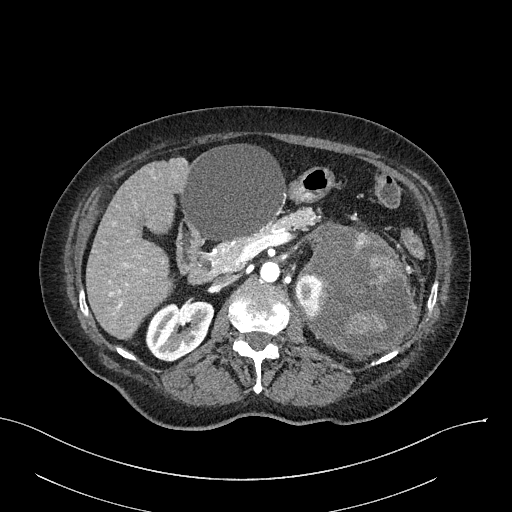
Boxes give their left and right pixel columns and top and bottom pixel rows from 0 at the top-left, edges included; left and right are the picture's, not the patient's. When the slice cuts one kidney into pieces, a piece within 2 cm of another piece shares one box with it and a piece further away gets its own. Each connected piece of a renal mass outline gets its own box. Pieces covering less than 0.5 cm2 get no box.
Slice 157/316 of a contrast-enhanced abdominal CT in the arterial phase, counting up from the lowest; pixel size 0.840 mm, slice thickness 2.00 mm. Boxed on this slice (two kidney boxes and one renal mass box), listed by box centre from the image's left to its right: (1) Box with left 145, top 300, right 214, bottom 361: right kidney (outlined area 3,073 px, about 21.7 cm2). (2) Left kidney in the box with left 295, top 276, right 320, bottom 317 (outlined area 758 px, about 5.3 cm2). (3) Left renal mass in the box with left 300, top 225, right 418, bottom 359 (outlined area 11,229 px, about 79.2 cm2).
Scan settings: 100 kVp, I40f reconstruction kernel.